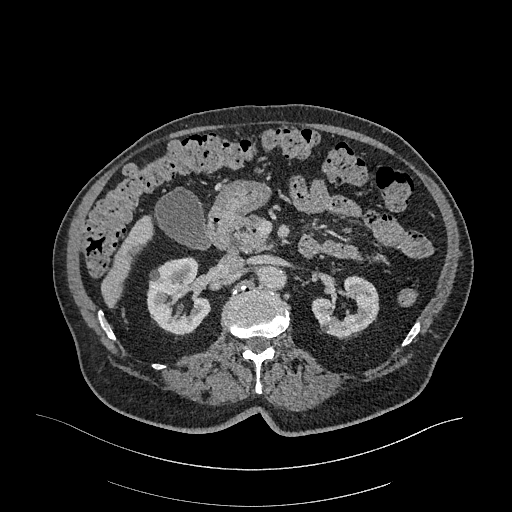
One axial slice (189 of 470, counting up from the lowest) of an arterial-phase abdominal CT acquired with 120 kVp, kernel I26f; each pixel is 0.938 mm and the slice is 1.00 mm thick.
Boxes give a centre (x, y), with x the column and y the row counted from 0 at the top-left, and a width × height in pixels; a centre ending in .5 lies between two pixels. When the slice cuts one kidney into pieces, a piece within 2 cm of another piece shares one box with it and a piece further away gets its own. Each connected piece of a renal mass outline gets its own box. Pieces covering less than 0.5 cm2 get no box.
Boxed on this slice (two kidney boxes), listed by box centre from the image's left to its right: (1) Right kidney, box centre (179, 296), 65 × 81 pixels (outlined area 3,687 px, about 32.4 cm2). (2) Box centre (345, 306), 69 × 63 pixels: left kidney (outlined area 2,643 px, about 23.2 cm2). This slice carries no renal mass outline.